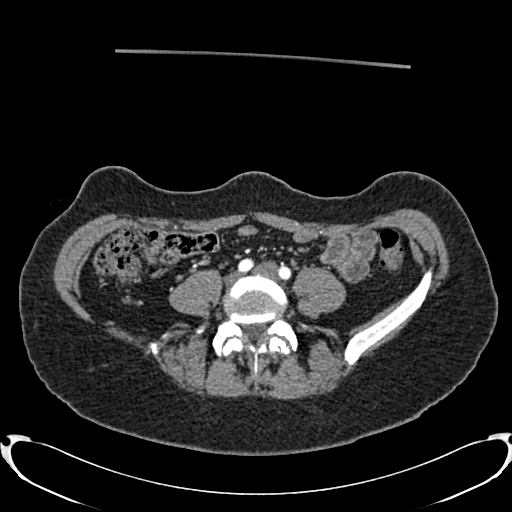
Arterial-phase contrast-enhanced abdominal CT, axial slice 257 of 719 (counted from the lowest slice); tube voltage 120 kVp, convolution kernel B20f; slices 1.00 mm thick, 0.766 mm per pixel.
This slice carries no outline: it lies beyond the outlined kidneys and beyond every outlined renal mass. Other organs are not outlined in this scan.